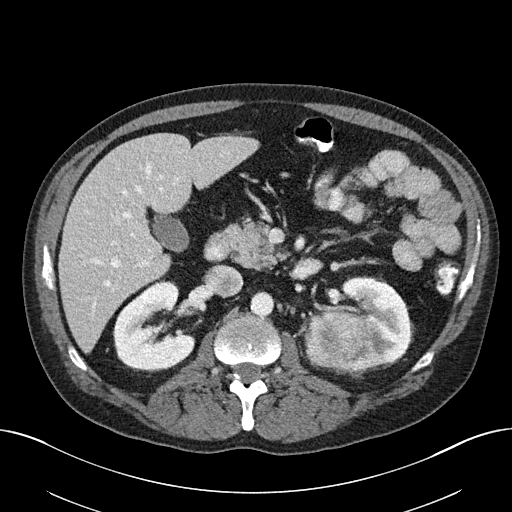
Axial slice 113 of 163 of a contrast-enhanced abdominal CT (slice 1 is the lowest), 100 kVp, kernel I40f; 3.00 mm slice thickness and 0.799 mm pixels.
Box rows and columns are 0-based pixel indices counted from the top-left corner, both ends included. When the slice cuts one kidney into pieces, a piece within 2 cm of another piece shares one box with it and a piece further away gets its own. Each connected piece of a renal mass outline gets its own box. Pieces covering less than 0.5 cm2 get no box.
Three boxes on this slice (two kidney boxes and one renal mass box), listed by box centre from the image's left to its right. (1) Box rows 280–371, columns 113–194: right kidney (outlined area 4,906 px, about 31.3 cm2). (2) Left renal mass at rows 312–368, columns 307–361 (outlined area 2,601 px, about 16.6 cm2). (3) Left kidney at rows 277–370, columns 309–410 (outlined area 4,984 px, about 31.8 cm2).